Axial slice 452 of 591 of a contrast-enhanced abdominal CT in the arterial phase (slice 1 is the lowest), 140 kVp, kernel I30f; 1.00 mm slice thickness and 0.703 mm pixels.
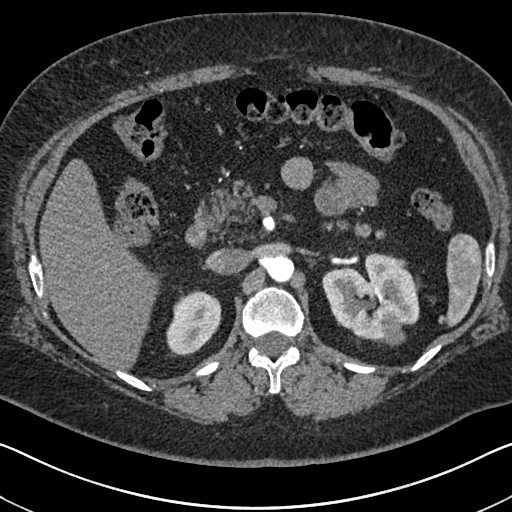
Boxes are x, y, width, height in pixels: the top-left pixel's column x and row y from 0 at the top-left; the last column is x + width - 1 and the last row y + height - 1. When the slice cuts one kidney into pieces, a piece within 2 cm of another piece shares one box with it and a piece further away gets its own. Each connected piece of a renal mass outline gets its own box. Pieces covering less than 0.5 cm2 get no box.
Two kidney boxes and one renal mass box on this slice; by box centre, from the image's left to its right: (1) Box x 166, y 290, width 56, height 67: right kidney (outlined area 2,593 px, about 12.8 cm2). (2) Box x 322, y 252, width 98, height 90: left kidney (outlined area 5,776 px, about 28.6 cm2). (3) Box x 380, y 312, width 26, height 34: left renal mass (outlined area 657 px, about 3.2 cm2).